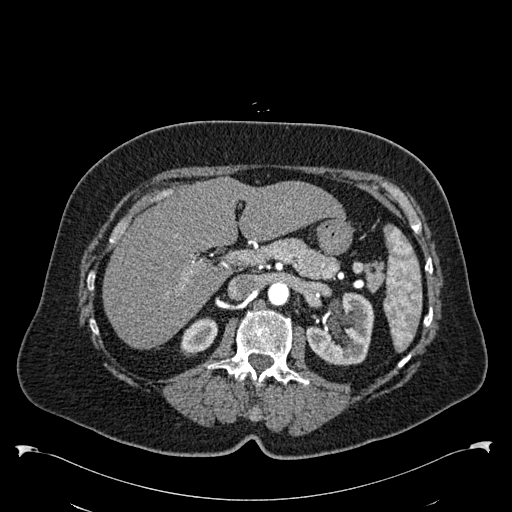
Axial slice 372 of 538 of a contrast-enhanced abdominal CT in the arterial phase (slice 1 is the lowest), 120 kVp, kernel B30f; 1.00 mm slice thickness and 0.811 mm pixels.
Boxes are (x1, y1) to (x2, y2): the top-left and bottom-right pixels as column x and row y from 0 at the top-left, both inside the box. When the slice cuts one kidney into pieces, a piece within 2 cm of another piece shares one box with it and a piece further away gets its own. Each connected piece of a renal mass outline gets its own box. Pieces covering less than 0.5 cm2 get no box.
Two kidney boxes on this slice; by box centre, from the image's left to its right: (1) Box (180, 317) to (217, 356): right kidney (outlined area 1,026 px, about 6.7 cm2). (2) Box (306, 292) to (374, 365): left kidney (outlined area 3,633 px, about 23.9 cm2). No renal mass is outlined on this slice.